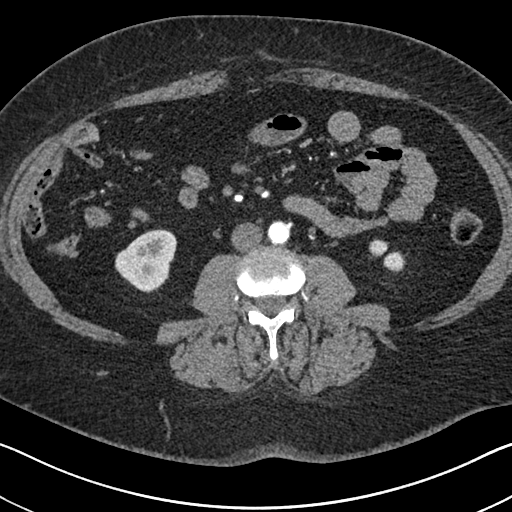
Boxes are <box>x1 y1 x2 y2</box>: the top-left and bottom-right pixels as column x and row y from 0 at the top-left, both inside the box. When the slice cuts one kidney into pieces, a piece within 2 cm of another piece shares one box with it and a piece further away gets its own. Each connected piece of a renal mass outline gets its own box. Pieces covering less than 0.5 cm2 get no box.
Arterial-phase contrast-enhanced abdominal CT, axial slice 294 of 591 (counted from the lowest slice); 1.00 mm thick, 0.703 mm per pixel. Two boxes on this slice (two kidney boxes), listed by box centre from the image's left to its right. (1) Right kidney at <box>115 229 177 293</box> (outlined area 2,797 px, about 13.8 cm2). (2) At <box>369 239 405 272</box>: left kidney (outlined area 660 px, about 3.3 cm2). No renal mass is outlined on this slice.
Scan settings: 140 kVp, I30f reconstruction kernel.